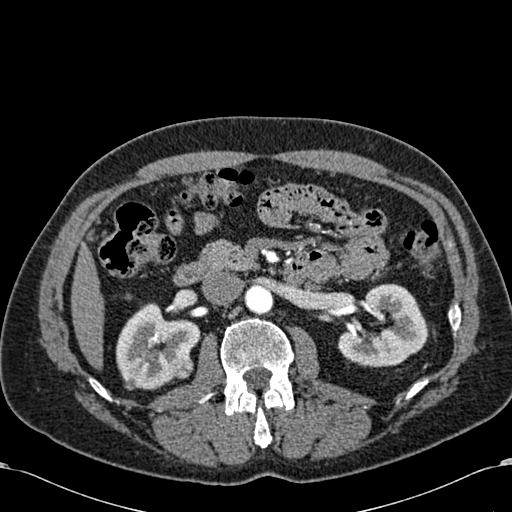
Abdominal CT with intravenous contrast, arterial phase, axial plane, 120 kVp, kernel B30f. Slice 359/581 from the bottom of the scan; thickness 1.00 mm; pixel size 0.713 mm.
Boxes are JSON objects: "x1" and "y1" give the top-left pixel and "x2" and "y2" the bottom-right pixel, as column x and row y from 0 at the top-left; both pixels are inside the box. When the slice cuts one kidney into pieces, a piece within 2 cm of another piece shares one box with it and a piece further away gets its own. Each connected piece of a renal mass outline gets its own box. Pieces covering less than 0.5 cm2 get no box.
Two kidney boxes and one renal mass box on this slice; by box centre, from the image's left to its right: (1) Right kidney at {"x1": 115, "y1": 303, "x2": 200, "y2": 390} (outlined area 4,676 px, about 23.8 cm2). (2) Box {"x1": 164, "y1": 354, "x2": 193, "y2": 378}: right renal mass (outlined area 582 px, about 3.0 cm2). (3) Left kidney, box {"x1": 337, "y1": 283, "x2": 427, "y2": 367} (outlined area 5,051 px, about 25.7 cm2).